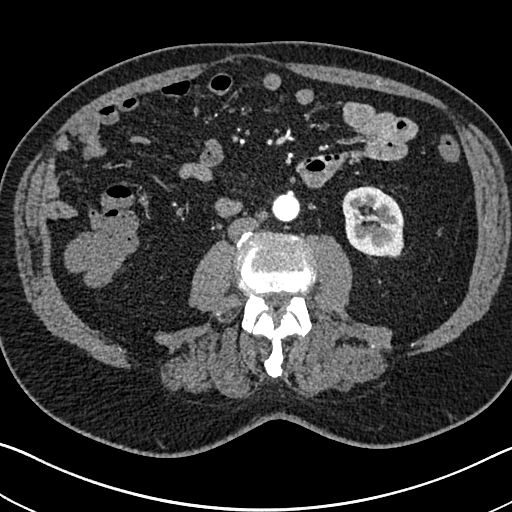
One axial slice (318 of 705, counting up from the lowest) of an arterial-phase abdominal CT acquired with 120 kVp, kernel I30f; each pixel is 0.703 mm and the slice is 1.00 mm thick.
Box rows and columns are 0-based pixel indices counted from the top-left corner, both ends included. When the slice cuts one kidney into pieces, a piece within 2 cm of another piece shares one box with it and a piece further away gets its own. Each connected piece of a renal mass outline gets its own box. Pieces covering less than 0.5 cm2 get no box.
Left kidney at rows 186–257, columns 342–403 (outlined area 3,583 px, about 17.7 cm2). No renal mass is outlined on this slice.